Axial slice 162 of 470 of a contrast-enhanced abdominal CT in the arterial phase (slice 1 is the lowest), 120 kVp, kernel I26f; 1.00 mm slice thickness and 0.938 mm pixels.
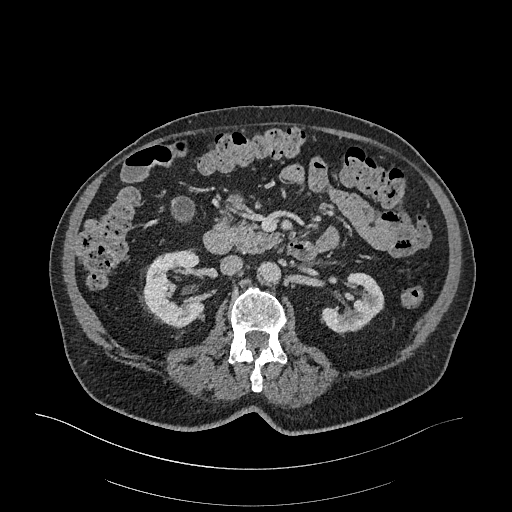
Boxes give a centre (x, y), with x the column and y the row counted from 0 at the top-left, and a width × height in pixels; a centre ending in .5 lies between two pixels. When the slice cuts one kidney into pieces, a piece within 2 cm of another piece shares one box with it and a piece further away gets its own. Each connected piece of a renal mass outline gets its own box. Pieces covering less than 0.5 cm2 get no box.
Two boxes on this slice (two kidney boxes), listed by box centre from the image's left to its right. (1) Right kidney, box centre (173, 288.5), 63 × 78 pixels (outlined area 3,399 px, about 29.9 cm2). (2) Box centre (352.5, 303.5), 64 × 64 pixels: left kidney (outlined area 2,420 px, about 21.3 cm2). No renal mass is outlined on this slice.